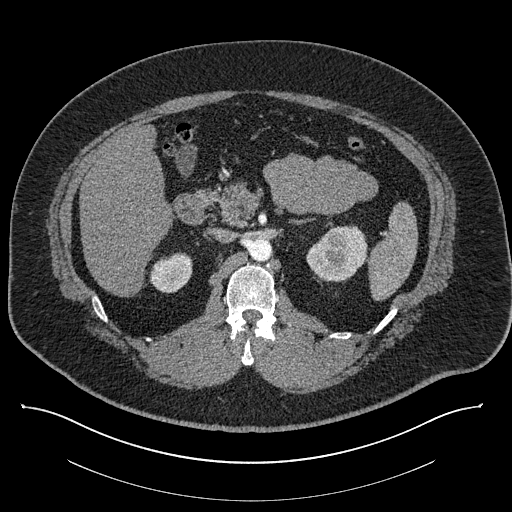
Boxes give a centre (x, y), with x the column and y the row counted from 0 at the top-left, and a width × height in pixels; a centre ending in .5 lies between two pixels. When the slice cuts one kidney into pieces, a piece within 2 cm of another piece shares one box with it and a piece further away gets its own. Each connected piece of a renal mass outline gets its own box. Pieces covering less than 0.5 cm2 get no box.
Contrast-enhanced abdominal CT, axial slice 538 of 787 (counted from the lowest slice); 1.00 mm thick, 0.910 mm per pixel. Boxed on this slice (two kidney boxes), listed by box centre from the image's left to its right: (1) Right kidney in a box with centre (170.5, 272.5), 44 × 42 pixels (outlined area 1,358 px, about 11.2 cm2). (2) Box centre (337, 253.5), 63 × 58 pixels: left kidney (outlined area 2,646 px, about 21.9 cm2). No renal mass is outlined on this slice.
Scan settings: 140 kVp, I30f reconstruction kernel.